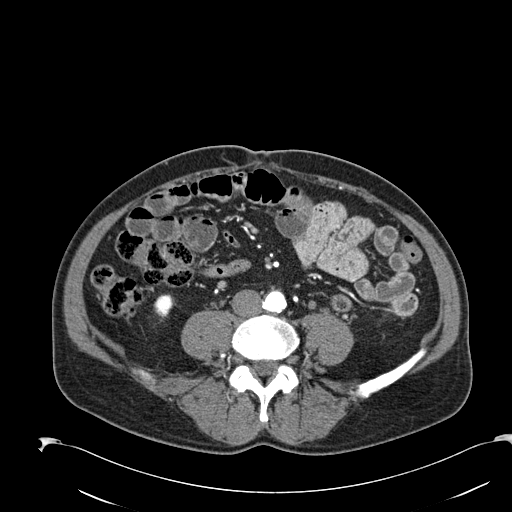
One axial slice (39 of 274, counting up from the lowest) of an arterial-phase abdominal CT acquired with 120 kVp, kernel B30f; each pixel is 0.809 mm and the slice is 2.00 mm thick.
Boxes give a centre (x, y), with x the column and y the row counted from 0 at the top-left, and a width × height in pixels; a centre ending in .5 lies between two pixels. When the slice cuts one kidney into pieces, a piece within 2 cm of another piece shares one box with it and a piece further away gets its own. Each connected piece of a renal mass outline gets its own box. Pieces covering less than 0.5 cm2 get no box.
Right kidney, box centre (164, 306), 23 × 25 pixels (outlined area 390 px, about 2.5 cm2). No renal mass is outlined on this slice.